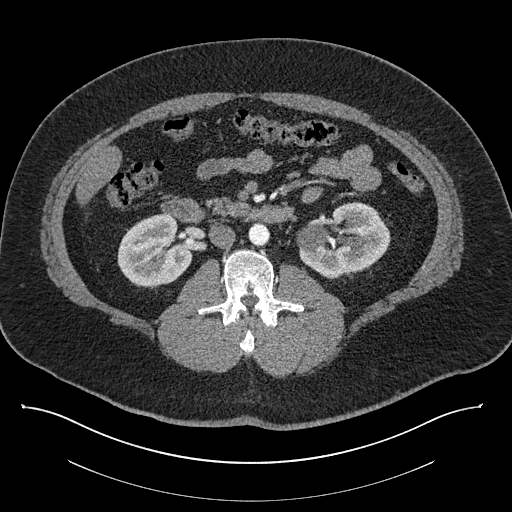
Axial slice 467 of 787 of a contrast-enhanced abdominal CT (slice 1 is the lowest), 140 kVp, kernel I30f; 1.00 mm slice thickness and 0.910 mm pixels.
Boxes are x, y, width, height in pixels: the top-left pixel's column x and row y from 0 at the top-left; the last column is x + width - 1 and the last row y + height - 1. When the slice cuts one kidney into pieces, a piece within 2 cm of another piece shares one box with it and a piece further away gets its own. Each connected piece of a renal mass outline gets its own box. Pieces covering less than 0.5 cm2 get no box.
Boxed on this slice (two kidney boxes), listed by box centre from the image's left to its right: (1) Right kidney, box x 117, y 212, width 76, height 77 (outlined area 4,172 px, about 34.6 cm2). (2) Left kidney at x 296, y 202, width 95, height 77 (outlined area 5,196 px, about 43.0 cm2). No renal mass outline on this slice.